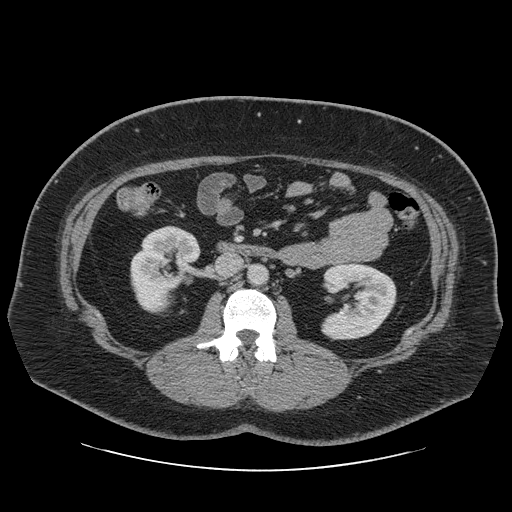
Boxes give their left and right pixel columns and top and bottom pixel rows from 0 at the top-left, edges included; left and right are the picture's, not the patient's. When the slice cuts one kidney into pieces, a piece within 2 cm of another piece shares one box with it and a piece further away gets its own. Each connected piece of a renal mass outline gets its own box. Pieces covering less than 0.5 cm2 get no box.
Arterial-phase contrast-enhanced abdominal CT, axial slice 27 of 69 (counted from the lowest slice); 2.50 mm thick, 0.846 mm per pixel. Boxed on this slice (two kidney boxes), listed by box centre from the image's left to its right: (1) Right kidney, the box with left 130, top 225, right 200, bottom 314 (outlined area 3,938 px, about 28.2 cm2). (2) Left kidney, the box with left 320, top 263, right 396, bottom 340 (outlined area 4,423 px, about 31.6 cm2). No renal mass outline on this slice.
Tube voltage 120 kVp; convolution kernel STANDARD.